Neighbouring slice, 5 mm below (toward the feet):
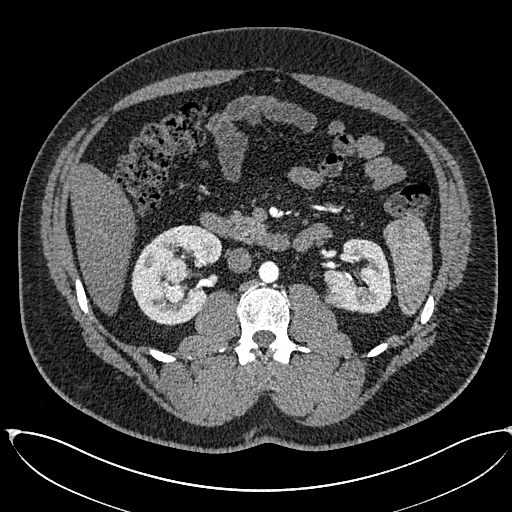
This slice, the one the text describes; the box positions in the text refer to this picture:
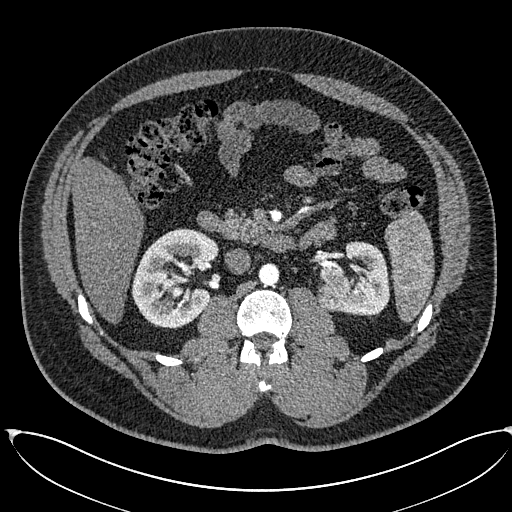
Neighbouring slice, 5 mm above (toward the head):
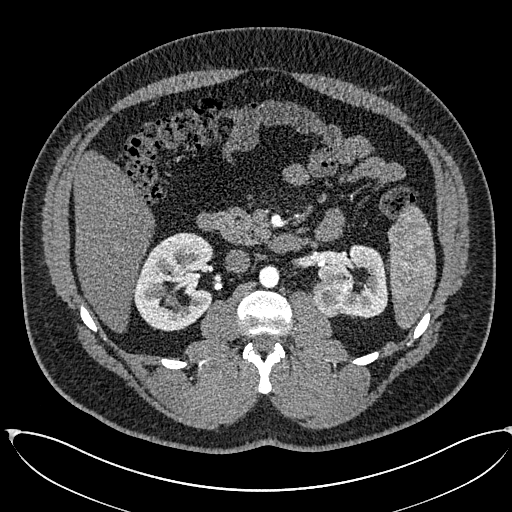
One axial slice (348 of 673, counting up from the lowest) of an arterial-phase abdominal CT acquired with 120 kVp, kernel I30f; each pixel is 0.855 mm and the slice is 1.00 mm thick.
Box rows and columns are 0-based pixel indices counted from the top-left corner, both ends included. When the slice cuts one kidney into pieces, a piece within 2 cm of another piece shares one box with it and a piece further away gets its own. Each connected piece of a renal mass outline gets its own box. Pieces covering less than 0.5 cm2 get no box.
Boxed on this slice (two kidney boxes and three renal mass boxes), listed by box centre from the image's left to its right: (1) Box rows 228–327, columns 131–219: right kidney (outlined area 6,069 px, about 44.4 cm2). (2) Right renal mass at rows 272–281, columns 172–180 (outlined area 76 px, about 0.6 cm2). (3) Right renal mass, box rows 287–298, columns 170–182 (outlined area 111 px, about 0.8 cm2). (4) Box rows 280–311, columns 316–350: left renal mass (outlined area 886 px, about 6.5 cm2). (5) Box rows 241–316, columns 320–390: left kidney (outlined area 3,319 px, about 24.3 cm2). This slice is near the end of the right renal mass toward the head, so the slices 5 mm below and 5 mm above it are shown as well; the boxes refer to this slice only.